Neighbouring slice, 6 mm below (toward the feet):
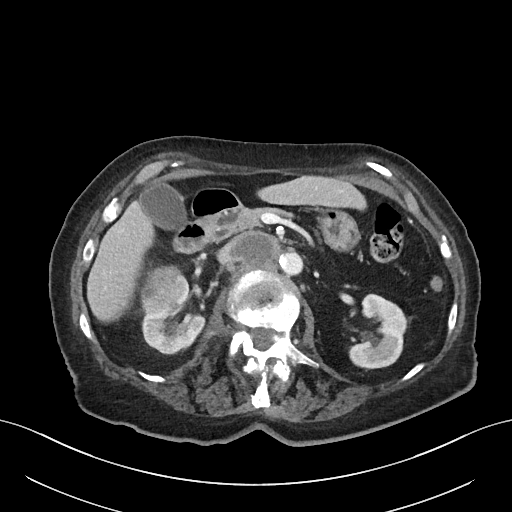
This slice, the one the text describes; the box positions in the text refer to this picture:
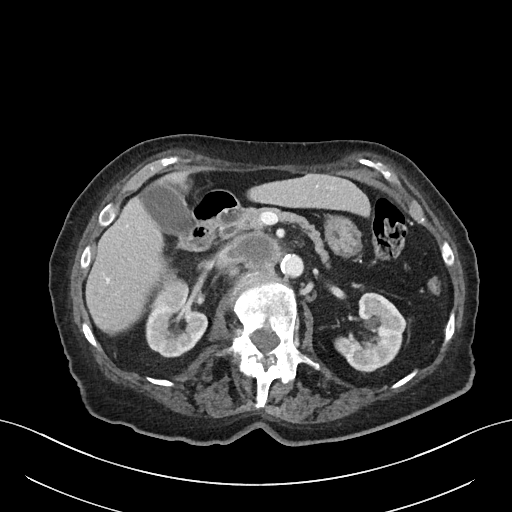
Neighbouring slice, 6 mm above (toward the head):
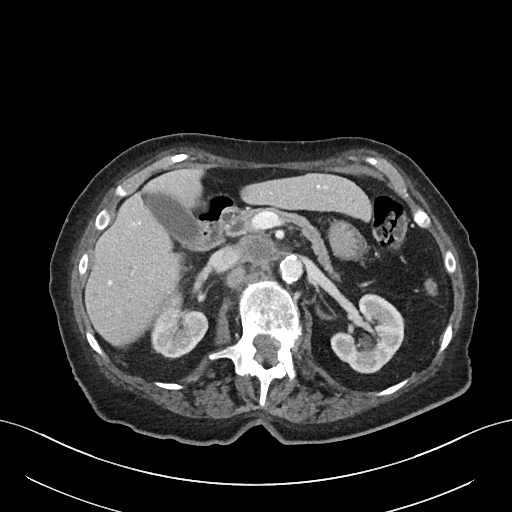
One axial slice (37 of 76, counting up from the lowest) of a contrast-enhanced abdominal CT acquired with 100 kVp, kernel I40f; each pixel is 0.768 mm and the slice is 3.00 mm thick.
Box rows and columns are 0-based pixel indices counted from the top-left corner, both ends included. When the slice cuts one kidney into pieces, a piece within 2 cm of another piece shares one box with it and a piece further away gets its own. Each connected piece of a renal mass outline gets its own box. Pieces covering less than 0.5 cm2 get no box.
Two kidney boxes and one renal mass box on this slice; by box centre, from the image's left to its right: (1) Box rows 277–311, columns 151–186: right renal mass (outlined area 863 px, about 5.1 cm2). (2) Box rows 281–357, columns 145–207: right kidney (outlined area 2,778 px, about 16.4 cm2). (3) Left kidney, box rows 292–372, columns 334–406 (outlined area 3,599 px, about 21.2 cm2). This slice is near the end of the right renal mass toward the head, so the slices 6 mm below and 6 mm above it are shown as well; the boxes refer to this slice only.